Abdominal CT with intravenous contrast, axial plane, 120 kVp, kernel I40f. Slice 46/102 from the bottom of the scan; thickness 5.00 mm; pixel size 0.977 mm.
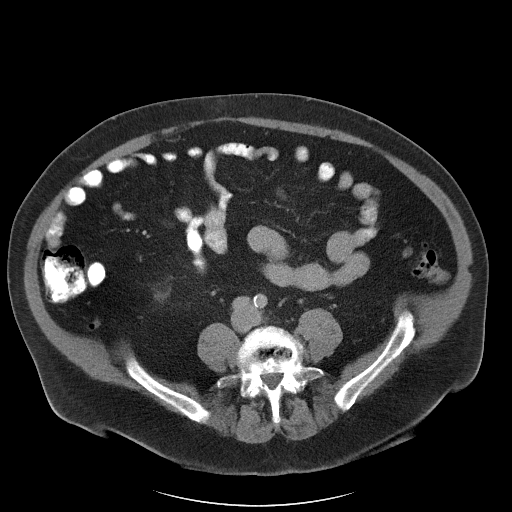
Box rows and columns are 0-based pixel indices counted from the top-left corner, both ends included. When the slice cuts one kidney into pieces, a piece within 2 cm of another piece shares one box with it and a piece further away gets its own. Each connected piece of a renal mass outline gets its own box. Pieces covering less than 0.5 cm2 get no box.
Right kidney at rows 291–300, columns 154–168 (outlined area 81 px, about 0.8 cm2). This slice carries no renal mass outline.